Abdominal CT with intravenous contrast, axial plane, 120 kVp, kernel B. Slice 90/178 from the bottom of the scan; thickness 3.00 mm; pixel size 0.818 mm.
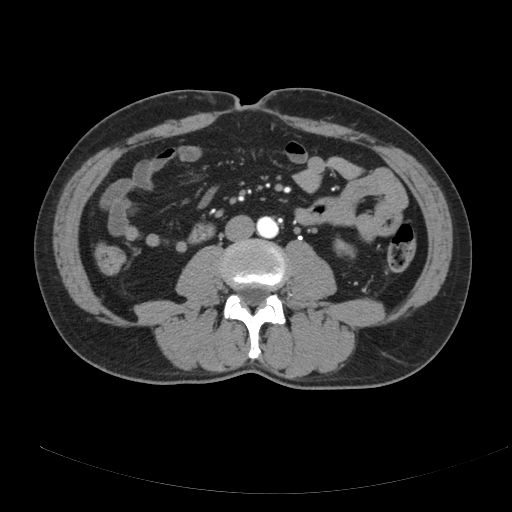
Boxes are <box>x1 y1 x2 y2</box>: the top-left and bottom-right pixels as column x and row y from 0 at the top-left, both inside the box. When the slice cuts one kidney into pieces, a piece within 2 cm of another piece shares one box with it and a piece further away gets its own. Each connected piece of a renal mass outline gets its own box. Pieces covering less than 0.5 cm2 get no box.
Left kidney: <box>334 238 355 258</box> (outlined area 298 px, about 2.0 cm2). This slice carries no renal mass outline.